Axial slice 441 of 612 of a contrast-enhanced abdominal CT in the arterial phase (slice 1 is the lowest), 120 kVp, kernel I30f; 1.00 mm slice thickness and 0.703 mm pixels.
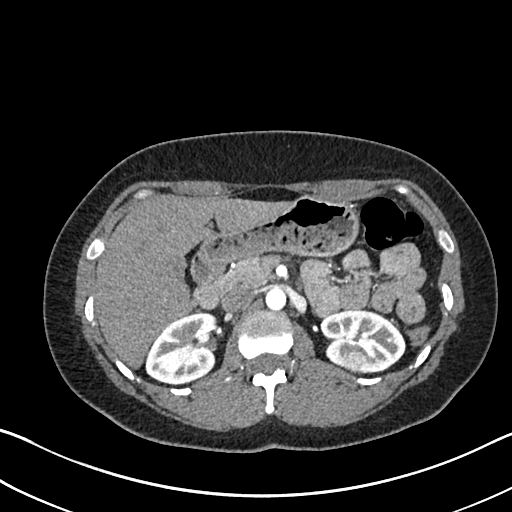
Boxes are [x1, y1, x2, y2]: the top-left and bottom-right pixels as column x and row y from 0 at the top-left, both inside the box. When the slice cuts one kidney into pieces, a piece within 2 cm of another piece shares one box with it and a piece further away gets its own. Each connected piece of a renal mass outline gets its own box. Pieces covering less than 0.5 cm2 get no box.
Two kidney boxes and one renal mass box on this slice; by box centre, from the image's left to its right: (1) Box [145, 312, 218, 384]: right kidney (outlined area 3,976 px, about 19.7 cm2). (2) Left renal mass, box [342, 351, 367, 372] (outlined area 457 px, about 2.3 cm2). (3) Left kidney at [319, 309, 405, 372] (outlined area 3,803 px, about 18.8 cm2).